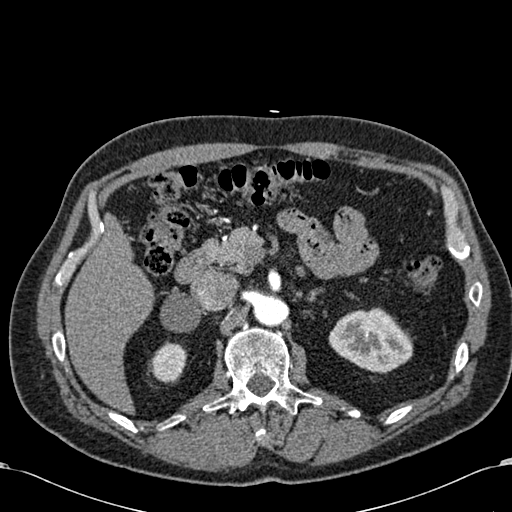
Abdominal CT with intravenous contrast, arterial phase, axial plane, 120 kVp, kernel B30f. Slice 411/581 from the bottom of the scan; thickness 1.00 mm; pixel size 0.713 mm.
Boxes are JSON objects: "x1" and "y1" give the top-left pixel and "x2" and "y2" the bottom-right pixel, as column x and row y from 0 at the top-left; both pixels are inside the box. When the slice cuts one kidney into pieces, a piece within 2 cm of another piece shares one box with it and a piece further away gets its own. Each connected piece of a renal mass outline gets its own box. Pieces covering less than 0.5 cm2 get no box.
Two kidney boxes on this slice; by box centre, from the image's left to its right: (1) Right kidney, box {"x1": 148, "y1": 341, "x2": 187, "y2": 383} (outlined area 1,167 px, about 5.9 cm2). (2) Left kidney at {"x1": 328, "y1": 307, "x2": 412, "y2": 372} (outlined area 3,970 px, about 20.2 cm2). No renal mass is outlined on this slice.